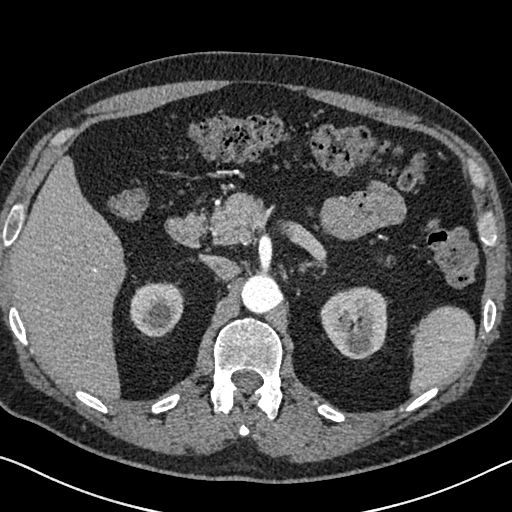
One axial slice (464 of 626, counting up from the lowest) of an arterial-phase abdominal CT acquired with 120 kVp, kernel I30f; each pixel is 0.703 mm and the slice is 1.00 mm thick.
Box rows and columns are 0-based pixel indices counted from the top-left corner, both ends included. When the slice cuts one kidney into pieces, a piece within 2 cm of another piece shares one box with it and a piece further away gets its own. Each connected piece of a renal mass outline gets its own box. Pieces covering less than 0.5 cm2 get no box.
Two kidney boxes on this slice; by box centre, from the image's left to its right: (1) Right kidney at rows 281–337, columns 130–184 (outlined area 2,400 px, about 11.9 cm2). (2) Box rows 286–359, columns 320–387: left kidney (outlined area 3,855 px, about 19.1 cm2). This slice carries no renal mass outline.